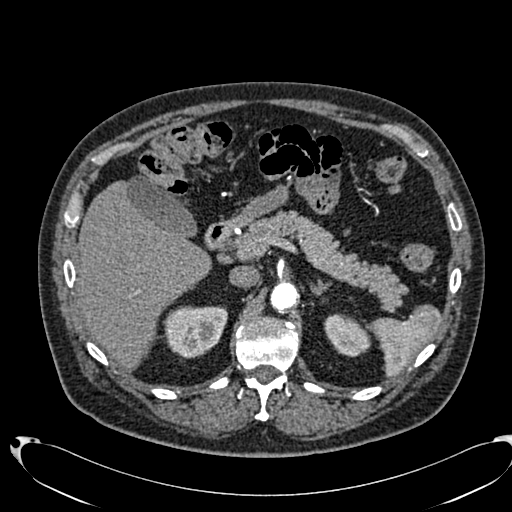
Arterial-phase contrast-enhanced abdominal CT, axial slice 481 of 553 (counted from the lowest slice); tube voltage 120 kVp, convolution kernel B20f; slices 1.00 mm thick, 0.773 mm per pixel.
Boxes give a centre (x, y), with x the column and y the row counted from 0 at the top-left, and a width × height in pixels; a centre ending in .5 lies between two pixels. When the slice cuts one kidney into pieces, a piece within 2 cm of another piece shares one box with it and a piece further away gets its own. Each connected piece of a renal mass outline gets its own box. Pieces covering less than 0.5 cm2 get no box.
Boxed on this slice (two kidney boxes), listed by box centre from the image's left to its right: (1) Right kidney, box centre (194, 332), 67 × 53 pixels (outlined area 2,654 px, about 15.9 cm2). (2) Box centre (347, 335), 47 × 43 pixels: left kidney (outlined area 1,441 px, about 8.6 cm2). No renal mass outline on this slice.